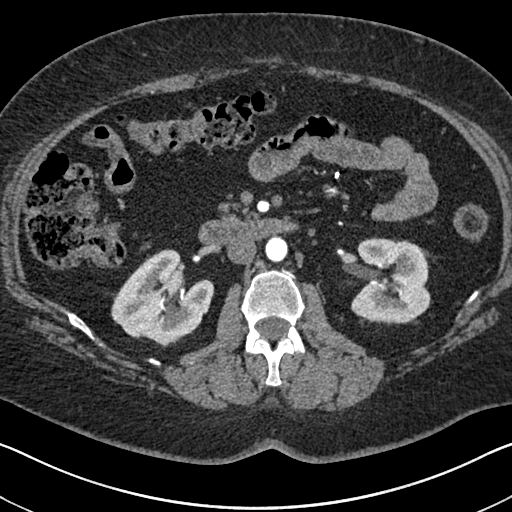
One axial slice (389 of 591, counting up from the lowest) of an arterial-phase abdominal CT acquired with 140 kVp, kernel I30f; each pixel is 0.703 mm and the slice is 1.00 mm thick.
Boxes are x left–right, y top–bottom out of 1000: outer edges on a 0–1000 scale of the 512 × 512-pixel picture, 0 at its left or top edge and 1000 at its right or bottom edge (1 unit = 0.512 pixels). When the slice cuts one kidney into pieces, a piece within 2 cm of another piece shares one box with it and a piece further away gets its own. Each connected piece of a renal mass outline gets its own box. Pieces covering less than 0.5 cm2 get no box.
Two boxes on this slice (two kidney boxes), listed by box centre from the image's left to its right. (1) Right kidney at x 217–418, y 486–672 out of 1000 (outlined area 6,419 px, about 31.7 cm2). (2) Left kidney, box x 684–842, y 463–631 out of 1000 (outlined area 5,546 px, about 27.4 cm2). This slice carries no renal mass outline.